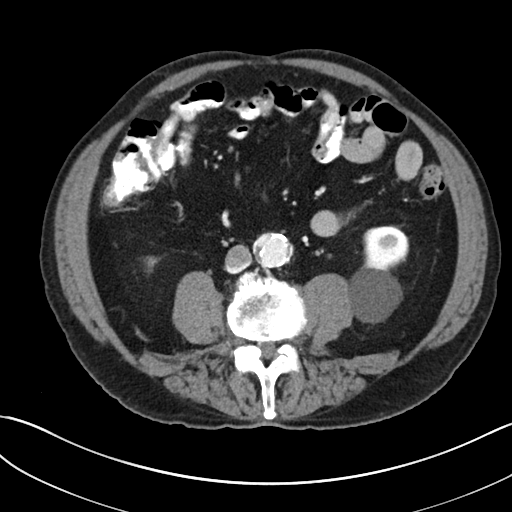
One axial slice (105 of 269, counting up from the lowest) of a contrast-enhanced abdominal CT acquired with 100 kVp, kernel I30f; each pixel is 0.732 mm and the slice is 5.00 mm thick.
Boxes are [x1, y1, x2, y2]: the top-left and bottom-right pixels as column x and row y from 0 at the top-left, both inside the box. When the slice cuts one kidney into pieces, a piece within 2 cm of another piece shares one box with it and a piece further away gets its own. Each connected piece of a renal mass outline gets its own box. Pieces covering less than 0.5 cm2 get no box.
Boxed on this slice (two kidney boxes), listed by box centre from the image's left to its right: (1) Right kidney at [144, 256, 159, 272] (outlined area 156 px, about 0.8 cm2). (2) Left kidney, box [348, 225, 408, 323] (outlined area 4,091 px, about 21.9 cm2). This slice carries no renal mass outline.